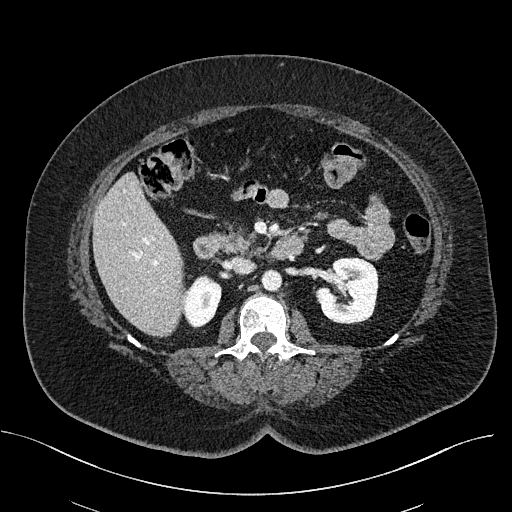
Contrast-enhanced abdominal CT, axial slice 302 of 470 (counted from the lowest slice); tube voltage 100 kVp, convolution kernel I40f; slices 2.00 mm thick, 0.824 mm per pixel.
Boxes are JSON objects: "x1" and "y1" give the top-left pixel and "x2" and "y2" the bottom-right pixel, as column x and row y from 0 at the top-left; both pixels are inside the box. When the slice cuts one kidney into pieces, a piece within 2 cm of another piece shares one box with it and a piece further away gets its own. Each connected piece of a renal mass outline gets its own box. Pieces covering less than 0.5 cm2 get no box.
Boxed on this slice (two kidney boxes), listed by box centre from the image's left to its right: (1) Right kidney, box {"x1": 178, "y1": 275, "x2": 221, "y2": 328} (outlined area 1,640 px, about 11.1 cm2). (2) Left kidney, box {"x1": 315, "y1": 257, "x2": 378, "y2": 324} (outlined area 3,312 px, about 22.5 cm2). This slice carries no renal mass outline.